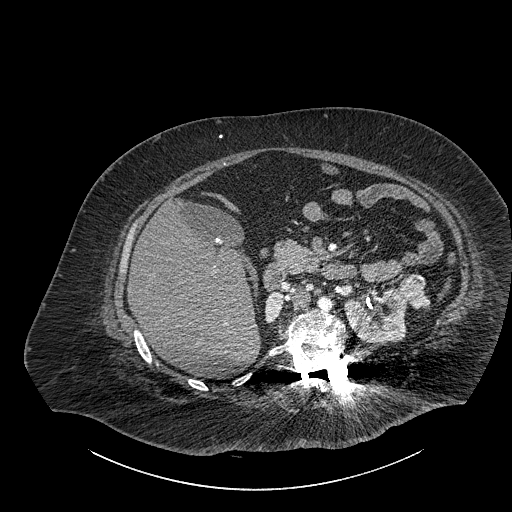
One axial slice (566 of 834, counting up from the lowest) of a contrast-enhanced abdominal CT acquired with 140 kVp, kernel I30f; each pixel is 0.977 mm and the slice is 1.00 mm thick.
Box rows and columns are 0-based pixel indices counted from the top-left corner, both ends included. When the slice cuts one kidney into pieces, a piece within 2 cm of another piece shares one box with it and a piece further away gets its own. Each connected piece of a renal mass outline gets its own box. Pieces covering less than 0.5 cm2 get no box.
Two kidney boxes and one renal mass box on this slice; by box centre, from the image's left to its right: (1) Right part of the midline-crossing kidney, box rows 291–323, columns 264–284 (outlined area 480 px, about 4.6 cm2). (2) Box rows 288–342, columns 344–407: left part of the midline-crossing kidney (outlined area 2,660 px, about 25.4 cm2). (3) Renal mass at rows 274–309, columns 397–430 (outlined area 818 px, about 7.8 cm2).